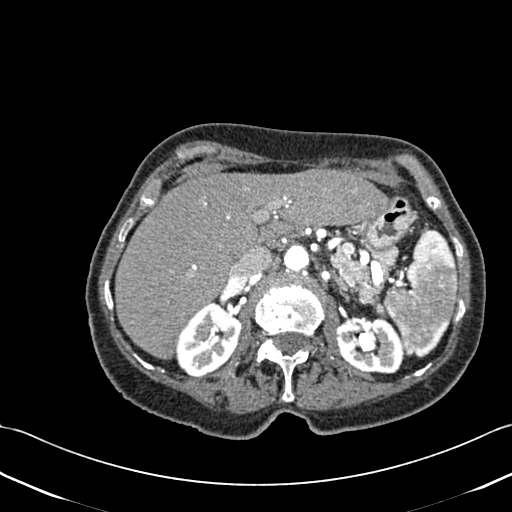
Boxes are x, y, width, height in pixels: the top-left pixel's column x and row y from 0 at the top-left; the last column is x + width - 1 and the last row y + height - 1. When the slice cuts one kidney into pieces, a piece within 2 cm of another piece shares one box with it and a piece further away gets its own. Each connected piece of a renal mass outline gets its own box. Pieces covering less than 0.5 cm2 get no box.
Slice 301/433 of a contrast-enhanced abdominal CT, counting up from the lowest; pixel size 0.672 mm, slice thickness 1.00 mm. Boxed on this slice (two kidney boxes), listed by box centre from the image's left to its right: (1) Box x 175, y 302, width 66, height 75: right kidney (outlined area 3,424 px, about 15.5 cm2). (2) Left kidney, box x 335, y 316, width 71, height 58 (outlined area 3,160 px, about 14.3 cm2). No renal mass outline on this slice.
Acquired at 120 kVp and reconstructed with the B30f kernel.